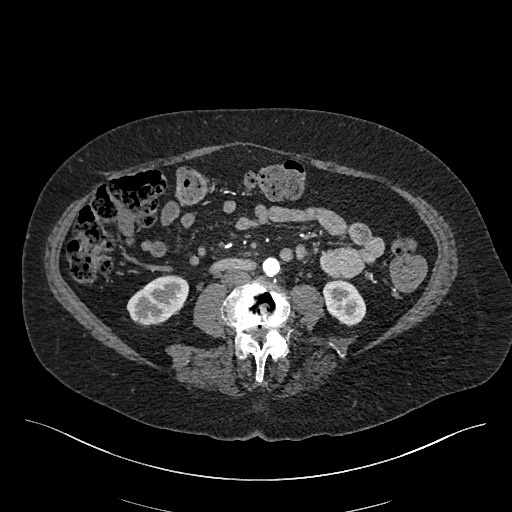
Abdominal CT with intravenous contrast, arterial phase, axial plane, 120 kVp, kernel I26f. Slice 171/548 from the bottom of the scan; thickness 1.00 mm; pixel size 0.852 mm.
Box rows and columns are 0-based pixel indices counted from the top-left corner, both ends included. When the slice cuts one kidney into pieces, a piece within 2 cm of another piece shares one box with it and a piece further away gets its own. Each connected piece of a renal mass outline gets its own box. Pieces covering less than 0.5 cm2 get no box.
Two kidney boxes on this slice; by box centre, from the image's left to its right: (1) Box rows 275–326, columns 126–188: right kidney (outlined area 2,216 px, about 16.1 cm2). (2) Left kidney, box rows 279–326, columns 322–366 (outlined area 1,506 px, about 10.9 cm2). No renal mass outline on this slice.